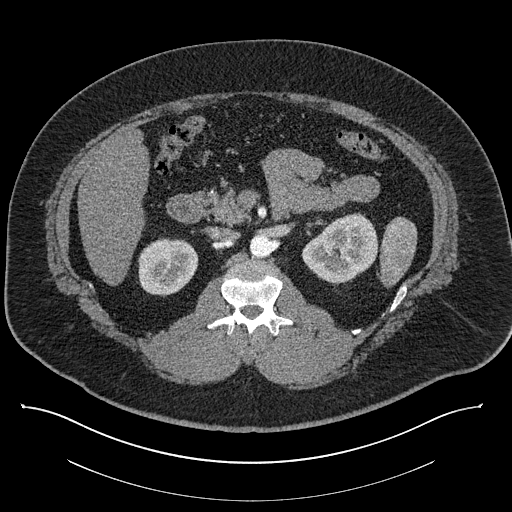
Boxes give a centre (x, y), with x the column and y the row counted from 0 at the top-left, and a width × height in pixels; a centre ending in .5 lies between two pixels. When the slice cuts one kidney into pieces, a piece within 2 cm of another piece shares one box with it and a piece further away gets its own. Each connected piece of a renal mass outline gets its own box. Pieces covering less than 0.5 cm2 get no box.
Contrast-enhanced abdominal CT, axial slice 518 of 787 (counted from the lowest slice); 1.00 mm thick, 0.910 mm per pixel. Two kidney boxes on this slice; by box centre, from the image's left to its right: (1) Box centre (168, 267), 61 × 59 pixels: right kidney (outlined area 2,813 px, about 23.3 cm2). (2) Left kidney in a box with centre (339, 248.5), 77 × 74 pixels (outlined area 3,856 px, about 31.9 cm2). No renal mass is outlined on this slice.
Acquired at 140 kVp and reconstructed with the I30f kernel.